One axial slice (573 of 735, counting up from the lowest) of an arterial-phase abdominal CT acquired with 120 kVp, kernel I30f; each pixel is 0.789 mm and the slice is 1.00 mm thick.
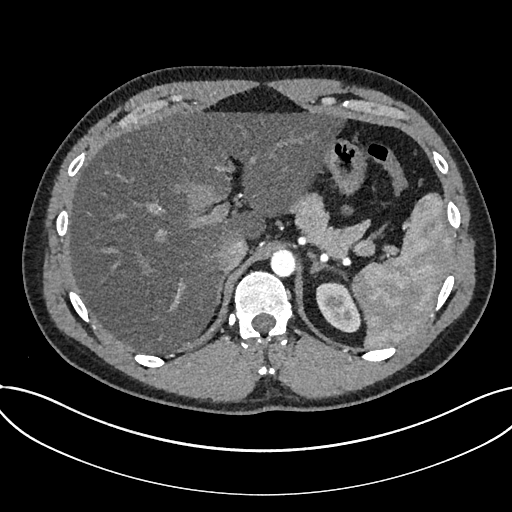
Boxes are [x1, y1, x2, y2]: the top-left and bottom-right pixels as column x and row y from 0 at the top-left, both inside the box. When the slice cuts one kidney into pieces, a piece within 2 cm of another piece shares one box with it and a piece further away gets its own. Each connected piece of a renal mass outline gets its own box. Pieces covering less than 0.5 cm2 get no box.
Kidney at [316, 282, 361, 332] (outlined area 1,641 px, about 10.2 cm2). No renal mass is outlined on this slice.